Axial slice 581 of 987 of a contrast-enhanced abdominal CT in the arterial phase (slice 1 is the lowest), 120 kVp, kernel I26f; 1.00 mm slice thickness and 0.977 mm pixels.
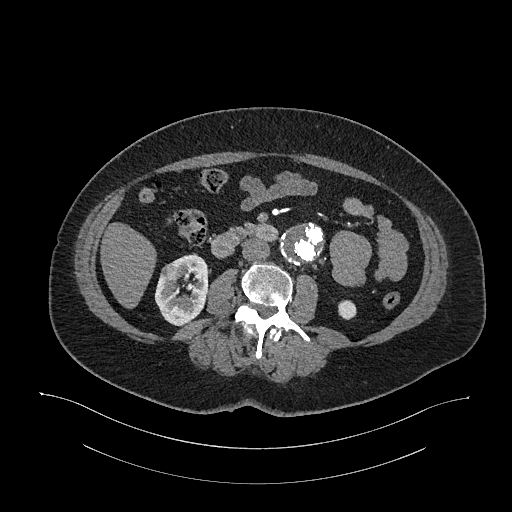
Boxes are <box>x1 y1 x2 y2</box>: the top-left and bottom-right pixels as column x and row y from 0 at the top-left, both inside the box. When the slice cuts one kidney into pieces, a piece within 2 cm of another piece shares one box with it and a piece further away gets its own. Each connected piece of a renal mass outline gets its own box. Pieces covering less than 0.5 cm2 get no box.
Three boxes on this slice (two kidney boxes and one renal mass box), listed by box centre from the image's left to its right. (1) Right renal mass: <box>160 262 182 280</box> (outlined area 308 px, about 2.9 cm2). (2) Right kidney at <box>154 253 208 325</box> (outlined area 2,603 px, about 24.8 cm2). (3) Left kidney at <box>338 300 356 319</box> (outlined area 306 px, about 2.9 cm2).